Abdominal CT with intravenous contrast, axial plane, 120 kVp, kernel I40f. Slice 77/301 from the bottom of the scan; thickness 2.00 mm; pixel size 0.859 mm.
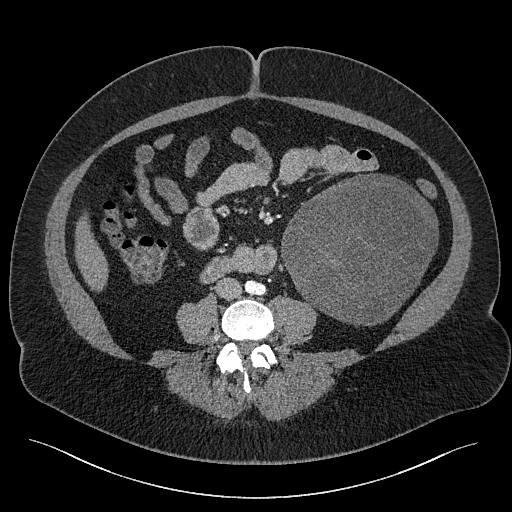
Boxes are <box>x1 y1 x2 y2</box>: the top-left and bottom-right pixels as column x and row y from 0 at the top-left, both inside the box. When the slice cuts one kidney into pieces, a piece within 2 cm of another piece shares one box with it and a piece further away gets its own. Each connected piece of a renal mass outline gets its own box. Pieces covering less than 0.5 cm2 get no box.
At <box>281 173 438 326</box>: left renal mass (outlined area 17,638 px, about 130.3 cm2); no kidney is outlined on this slice, but the same outlined renal mass comes within 1 cm of the kidney on another slice.